Arterial-phase contrast-enhanced abdominal CT, axial slice 106 of 470 (counted from the lowest slice); tube voltage 120 kVp, convolution kernel I26f; slices 1.00 mm thick, 0.938 mm per pixel.
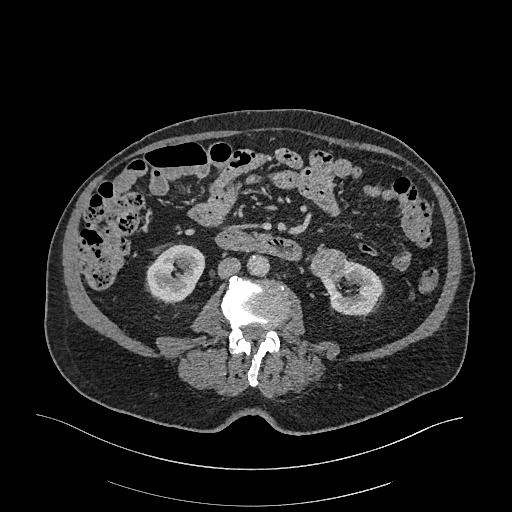
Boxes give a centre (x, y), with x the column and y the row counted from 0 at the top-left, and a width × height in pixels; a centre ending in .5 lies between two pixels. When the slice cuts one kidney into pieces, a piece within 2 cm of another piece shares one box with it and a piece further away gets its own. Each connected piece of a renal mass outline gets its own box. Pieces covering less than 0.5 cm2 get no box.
Boxed on this slice (two kidney boxes and one renal mass box), listed by box centre from the image's left to its right: (1) Box centre (175.5, 273.5), 60 × 60 pixels: right kidney (outlined area 2,614 px, about 23.0 cm2). (2) Left renal mass in a box with centre (327.5, 263.5), 38 × 32 pixels (outlined area 917 px, about 8.1 cm2). (3) Left kidney, box centre (351, 288), 63 × 57 pixels (outlined area 2,195 px, about 19.3 cm2).